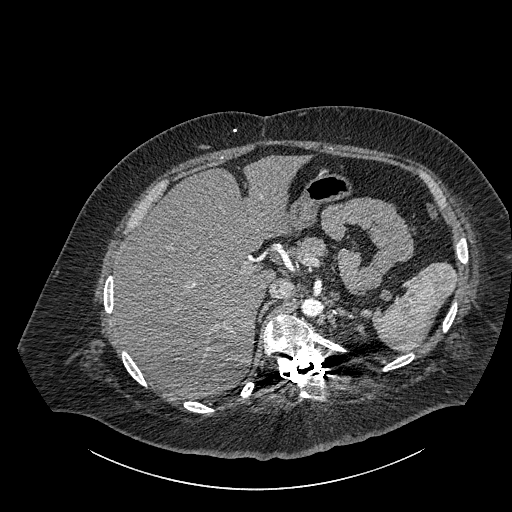
Contrast-enhanced abdominal CT, axial slice 654 of 834 (counted from the lowest slice); tube voltage 140 kVp, convolution kernel I30f; slices 1.00 mm thick, 0.977 mm per pixel.
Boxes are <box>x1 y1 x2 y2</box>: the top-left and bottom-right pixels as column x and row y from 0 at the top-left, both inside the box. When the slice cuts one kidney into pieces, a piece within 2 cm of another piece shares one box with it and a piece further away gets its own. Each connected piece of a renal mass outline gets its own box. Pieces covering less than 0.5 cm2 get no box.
Left part of the midline-crossing kidney at <box>354 324 364 332</box> (outlined area 72 px, about 0.7 cm2). No renal mass is outlined on this slice.